Axial slice 48 of 146 of a contrast-enhanced abdominal CT (slice 1 is the lowest), 120 kVp, kernel B31f; 5.00 mm slice thickness and 0.742 mm pixels.
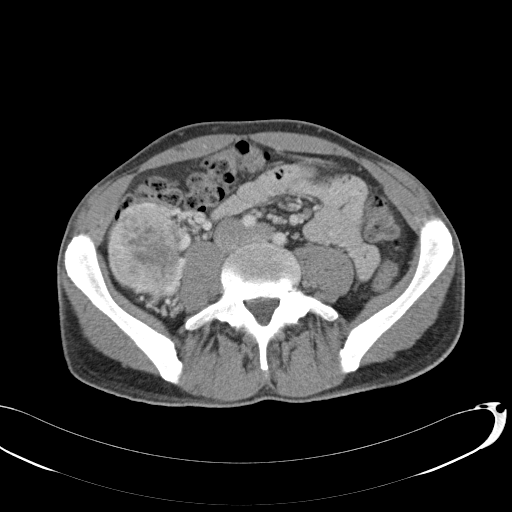
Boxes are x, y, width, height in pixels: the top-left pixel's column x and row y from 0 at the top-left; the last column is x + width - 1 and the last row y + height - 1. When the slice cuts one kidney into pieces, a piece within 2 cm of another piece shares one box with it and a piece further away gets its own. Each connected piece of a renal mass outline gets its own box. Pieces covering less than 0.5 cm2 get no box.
Right renal mass, box x 107, y 203, width 85, height 93 (outlined area 6,002 px, about 33.1 cm2); no kidney outline appears on this slice, but the same outlined renal mass comes within 1 cm of the kidney on another slice.